Arterial-phase contrast-enhanced abdominal CT, axial slice 508 of 673 (counted from the lowest slice); tube voltage 140 kVp, convolution kernel I30f; slices 1.00 mm thick, 0.957 mm per pixel.
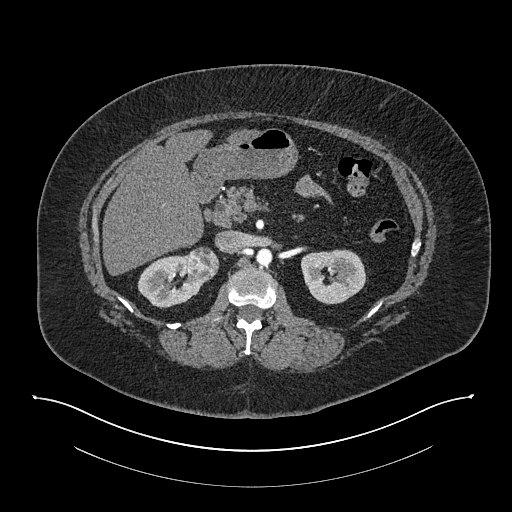
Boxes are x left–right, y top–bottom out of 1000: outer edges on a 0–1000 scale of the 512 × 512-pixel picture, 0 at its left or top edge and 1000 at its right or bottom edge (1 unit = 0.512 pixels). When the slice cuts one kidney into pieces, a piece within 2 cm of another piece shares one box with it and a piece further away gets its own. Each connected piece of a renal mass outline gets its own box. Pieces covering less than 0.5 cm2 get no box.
Two kidney boxes and one renal mass box on this slice; by box centre, from the image's left to its right: (1) Box x 268–402, y 498–604 out of 1000: right kidney (outlined area 2,356 px, about 21.6 cm2). (2) Box x 363–430, y 480–551 out of 1000: right renal mass (outlined area 914 px, about 8.4 cm2). (3) Box x 588–717, y 486–596 out of 1000: left kidney (outlined area 2,811 px, about 25.7 cm2).